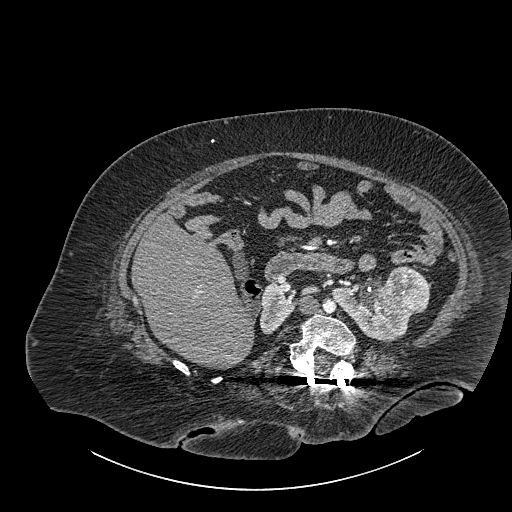
One axial slice (526 of 834, counting up from the lowest) of a contrast-enhanced abdominal CT acquired with 140 kVp, kernel I30f; each pixel is 0.977 mm and the slice is 1.00 mm thick.
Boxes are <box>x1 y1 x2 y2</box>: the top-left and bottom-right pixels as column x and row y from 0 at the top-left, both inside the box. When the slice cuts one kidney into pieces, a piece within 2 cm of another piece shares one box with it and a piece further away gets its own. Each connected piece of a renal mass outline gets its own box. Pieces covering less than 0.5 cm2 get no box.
Three boxes on this slice (two kidney boxes and one renal mass box), listed by box centre from the image's left to its right. (1) At <box>260 283 320 334</box>: right part of the midline-crossing kidney (outlined area 1,337 px, about 12.8 cm2). (2) At <box>332 284 411 341</box>: left part of the midline-crossing kidney (outlined area 2,754 px, about 26.3 cm2). (3) Renal mass: <box>385 266 429 314</box> (outlined area 1,705 px, about 16.3 cm2).